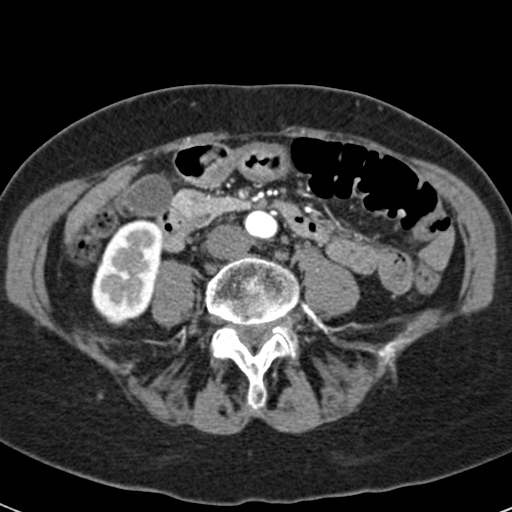
One axial slice (11 of 53, counting up from the lowest) of an arterial-phase abdominal CT acquired with 120 kVp, kernel B30f; each pixel is 0.547 mm and the slice is 3.00 mm thick.
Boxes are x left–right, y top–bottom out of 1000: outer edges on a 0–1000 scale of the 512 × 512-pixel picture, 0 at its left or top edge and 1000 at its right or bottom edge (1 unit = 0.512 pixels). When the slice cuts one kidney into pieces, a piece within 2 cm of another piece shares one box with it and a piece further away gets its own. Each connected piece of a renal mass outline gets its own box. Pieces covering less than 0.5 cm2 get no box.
Right kidney at x 178–318, y 426–637 out of 1000 (outlined area 5,543 px, about 16.6 cm2). No renal mass is outlined on this slice.